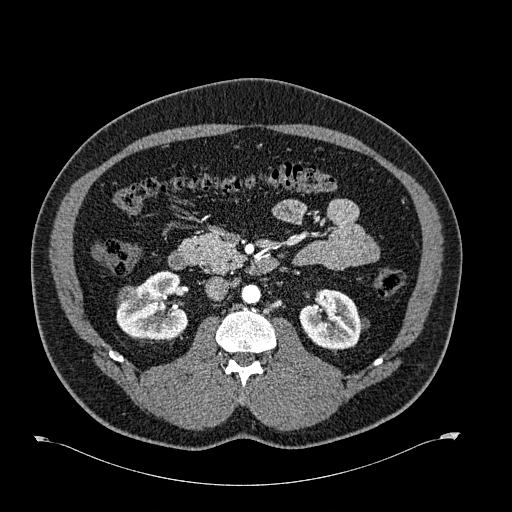
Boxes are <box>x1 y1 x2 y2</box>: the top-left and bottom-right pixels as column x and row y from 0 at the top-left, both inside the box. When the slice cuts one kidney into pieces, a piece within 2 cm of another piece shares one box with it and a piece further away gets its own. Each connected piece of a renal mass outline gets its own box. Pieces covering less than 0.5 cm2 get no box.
Arterial-phase contrast-enhanced abdominal CT, axial slice 355 of 723 (counted from the lowest slice); 1.00 mm thick, 0.895 mm per pixel. Three boxes on this slice (two kidney boxes and one renal mass box), listed by box centre from the image's left to its right. (1) At <box>117 285 138 304</box>: right renal mass (outlined area 318 px, about 2.5 cm2). (2) Right kidney: <box>116 270 188 341</box> (outlined area 3,581 px, about 28.7 cm2). (3) At <box>299 289 369 349</box>: left kidney (outlined area 2,951 px, about 23.6 cm2).
Acquired at 120 kVp and reconstructed with the B30f kernel.